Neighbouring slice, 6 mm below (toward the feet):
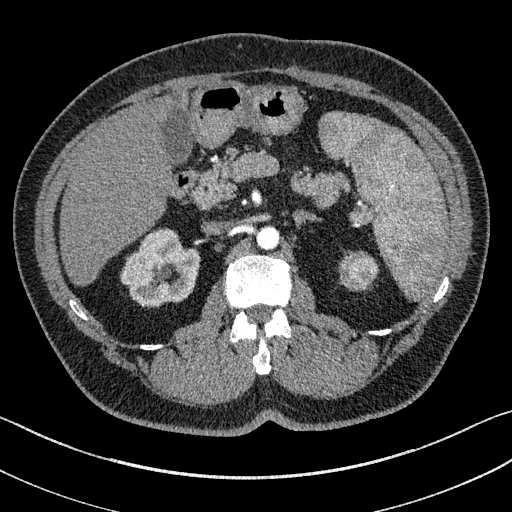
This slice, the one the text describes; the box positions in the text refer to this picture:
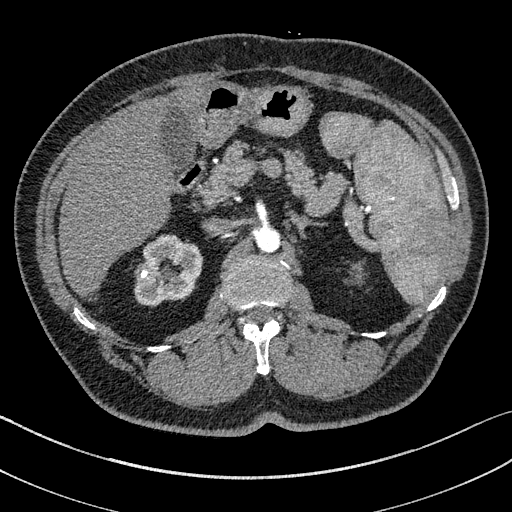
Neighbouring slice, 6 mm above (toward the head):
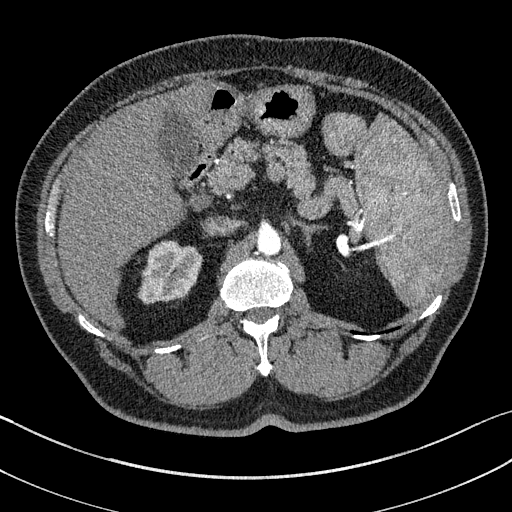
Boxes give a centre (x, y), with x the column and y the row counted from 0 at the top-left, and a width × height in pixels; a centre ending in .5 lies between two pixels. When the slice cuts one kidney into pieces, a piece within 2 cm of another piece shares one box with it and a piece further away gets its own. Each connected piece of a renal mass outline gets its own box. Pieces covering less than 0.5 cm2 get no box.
Slice 102/195 of a contrast-enhanced abdominal CT in the arterial phase, counting up from the lowest; pixel size 0.707 mm, slice thickness 1.50 mm. Two boxes on this slice (one kidney box and one renal mass box), listed by box centre from the image's left to its right. (1) Right kidney in a box with centre (168, 270), 69 × 71 pixels (outlined area 3,528 px, about 17.6 cm2). (2) Left renal mass, box centre (357.5, 272), 10 × 19 pixels (outlined area 127 px, about 0.6 cm2); here it is more than 1 cm from any kidney outline, though on another slice the same outlined renal mass lies within 1 cm of the kidney. This slice lies near the end of the left renal mass toward the head; the slices 6 mm below and 6 mm above it are shown too, and the boxes mark positions on this slice only.
Scan settings: 100 kVp, I31f reconstruction kernel.